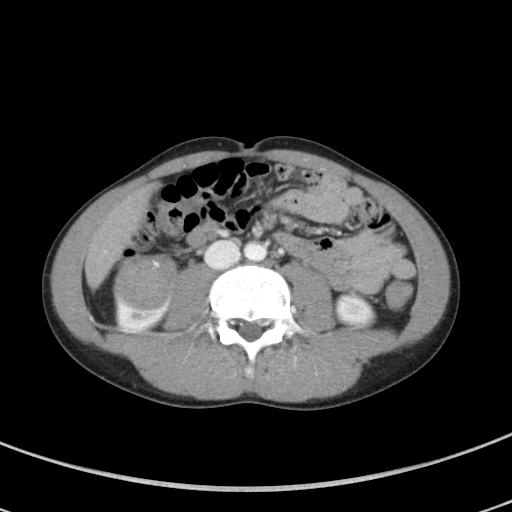
Arterial-phase contrast-enhanced abdominal CT, axial slice 32 of 94 (counted from the lowest slice); tube voltage 100 kVp, convolution kernel I41f; slices 5.00 mm thick, 0.551 mm per pixel.
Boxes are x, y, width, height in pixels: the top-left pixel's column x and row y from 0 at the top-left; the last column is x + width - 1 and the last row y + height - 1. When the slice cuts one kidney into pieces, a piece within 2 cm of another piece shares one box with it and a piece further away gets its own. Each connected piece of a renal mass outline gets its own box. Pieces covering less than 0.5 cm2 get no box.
Two kidney boxes and one renal mass box on this slice; by box centre, from the image's left to its right: (1) Right kidney, box x 114, y 297, width 58, height 35 (outlined area 1,074 px, about 3.3 cm2). (2) Right renal mass, box x 112, y 253, width 67, height 58 (outlined area 3,001 px, about 9.1 cm2). (3) Left kidney, box x 334, y 292, width 43, height 37 (outlined area 1,173 px, about 3.6 cm2).